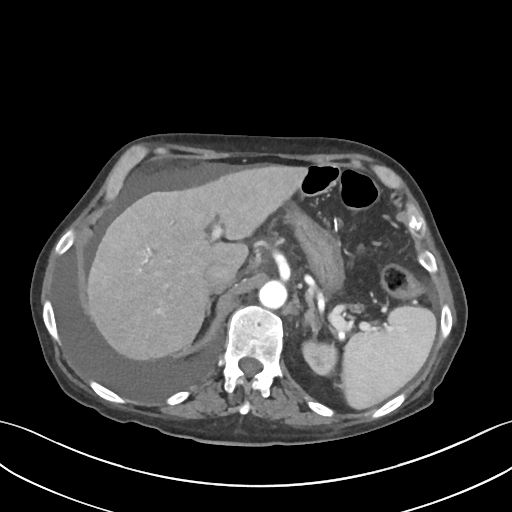
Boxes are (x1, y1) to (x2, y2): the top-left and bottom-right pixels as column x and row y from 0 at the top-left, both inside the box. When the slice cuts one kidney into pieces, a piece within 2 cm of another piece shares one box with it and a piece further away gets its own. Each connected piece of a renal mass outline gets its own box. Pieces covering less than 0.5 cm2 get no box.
Slice 67/109 of a contrast-enhanced abdominal CT, counting up from the lowest; pixel size 0.742 mm, slice thickness 3.00 mm. Left kidney from (300, 335) to (339, 377) (outlined area 1,209 px, about 6.7 cm2). No renal mass outline on this slice.
Scan settings: 120 kVp, I30f reconstruction kernel.